Abdominal CT with intravenous contrast, arterial phase, axial plane, 100 kVp, kernel I30f. Slice 312/1059 from the bottom of the scan; thickness 1.00 mm; pixel size 0.811 mm.
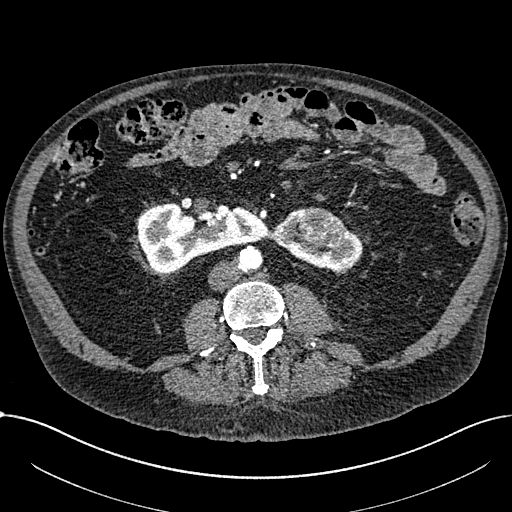
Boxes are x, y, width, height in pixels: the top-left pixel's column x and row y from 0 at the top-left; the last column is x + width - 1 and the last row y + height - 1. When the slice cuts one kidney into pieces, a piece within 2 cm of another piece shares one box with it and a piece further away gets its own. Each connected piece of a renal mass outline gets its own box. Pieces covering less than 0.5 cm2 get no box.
Boxed on this slice (two kidney boxes and one renal mass box), listed by box centre from the image's left to its right: (1) Right part of the midline-crossing kidney, box x 137, y 201, width 132, height 72 (outlined area 6,209 px, about 40.8 cm2). (2) Left part of the midline-crossing kidney, box x 271, y 207, width 92, height 66 (outlined area 2,657 px, about 17.5 cm2). (3) Renal mass at x 297, y 208, width 47, height 38 (outlined area 1,325 px, about 8.7 cm2).